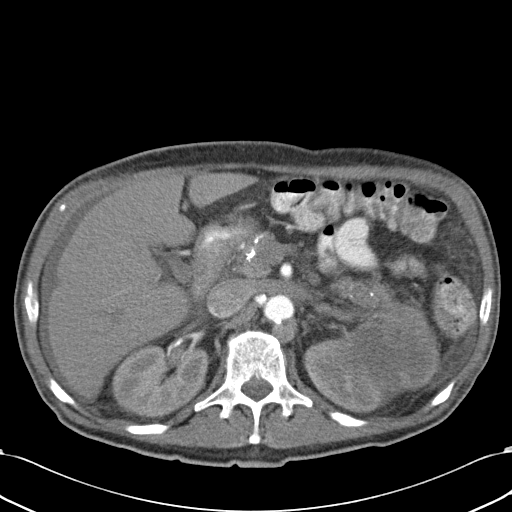
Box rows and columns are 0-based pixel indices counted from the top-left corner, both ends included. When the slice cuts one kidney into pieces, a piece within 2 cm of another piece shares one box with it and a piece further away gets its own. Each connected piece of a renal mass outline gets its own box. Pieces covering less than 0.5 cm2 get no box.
Slice 20/43 of a contrast-enhanced abdominal CT, counting up from the lowest; pixel size 0.701 mm, slice thickness 5.00 mm. Boxed on this slice (two kidney boxes and one renal mass box), listed by box centre from the image's left to its right: (1) Right kidney at rows 344–419, columns 111–212 (outlined area 5,692 px, about 28.0 cm2). (2) Left kidney, box rows 332–413, columns 303–396 (outlined area 4,055 px, about 19.9 cm2). (3) Box rows 301–394, columns 352–441: left renal mass (outlined area 6,088 px, about 29.9 cm2).
Acquired at 120 kVp and reconstructed with the B31f kernel.